Arterial-phase contrast-enhanced abdominal CT, axial slice 629 of 719 (counted from the lowest slice); tube voltage 120 kVp, convolution kernel B20f; slices 1.00 mm thick, 0.766 mm per pixel.
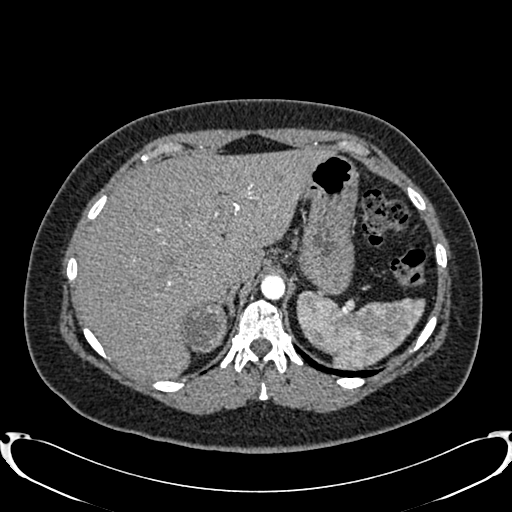
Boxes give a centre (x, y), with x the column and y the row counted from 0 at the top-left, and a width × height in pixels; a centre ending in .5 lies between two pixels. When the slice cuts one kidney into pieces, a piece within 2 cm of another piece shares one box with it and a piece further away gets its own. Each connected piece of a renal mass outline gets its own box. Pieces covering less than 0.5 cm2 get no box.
Right renal mass, box centre (204, 327), 47 × 51 pixels (outlined area 1,884 px, about 11.0 cm2); this slice has no kidney outline, though on another slice the same outlined renal mass lies within 1 cm of the kidney.